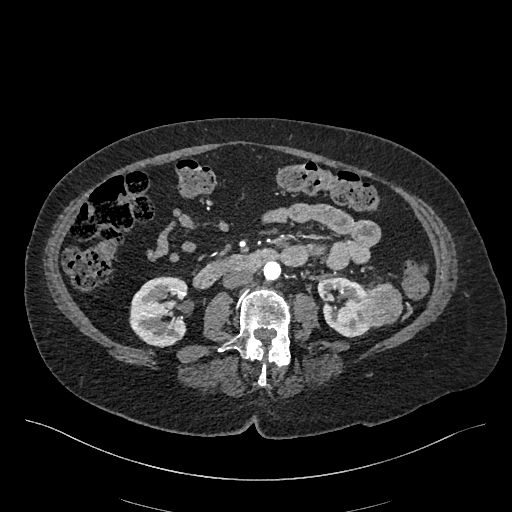
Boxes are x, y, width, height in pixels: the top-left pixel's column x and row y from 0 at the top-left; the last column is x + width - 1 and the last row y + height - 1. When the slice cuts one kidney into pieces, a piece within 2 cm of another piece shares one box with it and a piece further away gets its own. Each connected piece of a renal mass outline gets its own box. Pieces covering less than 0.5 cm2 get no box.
Arterial-phase contrast-enhanced abdominal CT, axial slice 212 of 548 (counted from the lowest slice); 1.00 mm thick, 0.852 mm per pixel. Three boxes on this slice (two kidney boxes and one renal mass box), listed by box centre from the image's left to its right. (1) Box x 129, y 276, width 60, height 72: right kidney (outlined area 3,386 px, about 24.6 cm2). (2) Left kidney, box x 317, y 275, width 53, height 63 (outlined area 2,255 px, about 16.4 cm2). (3) Left renal mass, box x 361, y 282, width 42, height 47 (outlined area 1,484 px, about 10.8 cm2).
Tube voltage 120 kVp; convolution kernel I26f.